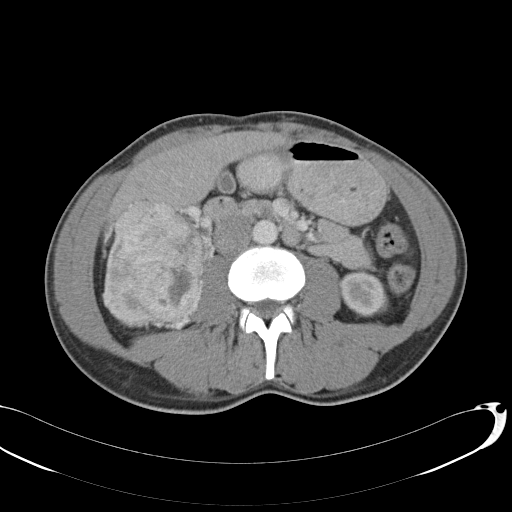
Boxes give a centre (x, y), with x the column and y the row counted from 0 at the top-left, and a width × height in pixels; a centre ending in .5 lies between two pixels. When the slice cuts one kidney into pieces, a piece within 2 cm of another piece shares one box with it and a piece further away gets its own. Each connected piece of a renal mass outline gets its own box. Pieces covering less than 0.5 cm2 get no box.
Slice 58/146 of a contrast-enhanced abdominal CT, counting up from the lowest; pixel size 0.742 mm, slice thickness 5.00 mm. Three boxes on this slice (two kidney boxes and one renal mass box), listed by box centre from the image's left to its right. (1) Box centre (128.5, 281), 56 × 93 pixels: right kidney (outlined area 2,350 px, about 12.9 cm2). (2) Right renal mass in a box with centre (159, 261), 89 × 123 pixels (outlined area 8,231 px, about 45.3 cm2). (3) Left kidney, box centre (362.5, 294), 50 × 45 pixels (outlined area 1,740 px, about 9.6 cm2).
Scan settings: 120 kVp, B31f reconstruction kernel.